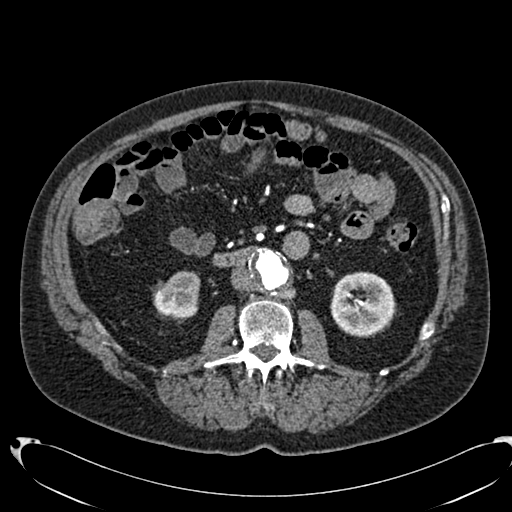
One axial slice (368 of 553, counting up from the lowest) of an arterial-phase abdominal CT acquired with 120 kVp, kernel B20f; each pixel is 0.773 mm and the slice is 1.00 mm thick.
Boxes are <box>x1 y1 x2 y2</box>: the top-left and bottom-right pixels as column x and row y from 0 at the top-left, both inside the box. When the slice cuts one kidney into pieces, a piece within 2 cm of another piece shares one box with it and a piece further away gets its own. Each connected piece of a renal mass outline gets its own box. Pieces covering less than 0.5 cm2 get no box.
Two boxes on this slice (two kidney boxes), listed by box centre from the image's left to its right. (1) Right kidney: <box>153 271 200 320</box> (outlined area 1,795 px, about 10.7 cm2). (2) At <box>330 271 396 337</box>: left kidney (outlined area 3,417 px, about 20.4 cm2). No renal mass outline on this slice.